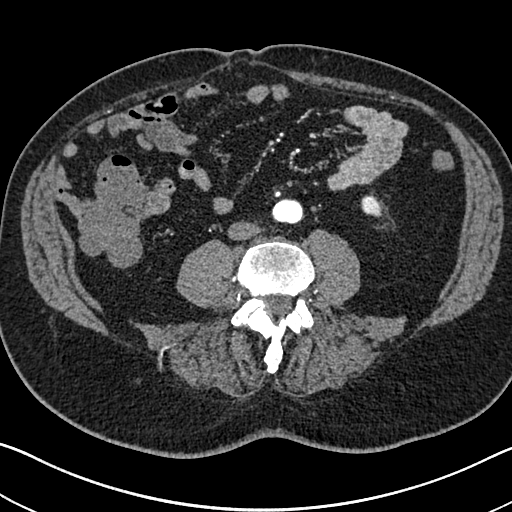
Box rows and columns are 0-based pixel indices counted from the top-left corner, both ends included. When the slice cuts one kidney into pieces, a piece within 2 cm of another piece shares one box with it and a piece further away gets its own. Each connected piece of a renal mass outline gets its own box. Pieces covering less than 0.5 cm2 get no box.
Slice 269/705 of a contrast-enhanced abdominal CT in the arterial phase, counting up from the lowest; pixel size 0.703 mm, slice thickness 1.00 mm. Left kidney at rows 195–216, columns 361–382 (outlined area 356 px, about 1.8 cm2). This slice carries no renal mass outline.
Scan settings: 120 kVp, I30f reconstruction kernel.